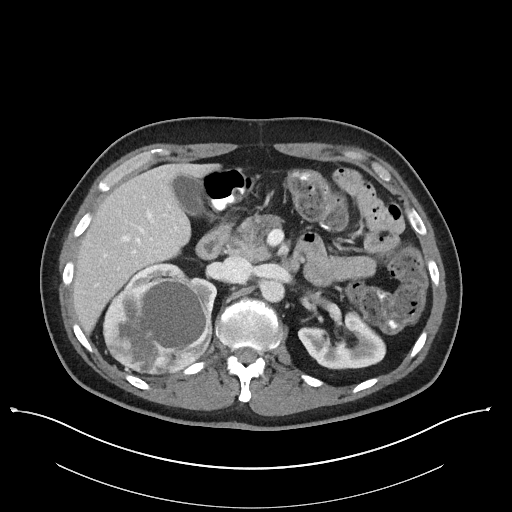
Abdominal CT with intravenous contrast, axial plane, 100 kVp, kernel I40f. Slice 74/101 from the bottom of the scan; thickness 5.00 mm; pixel size 0.879 mm.
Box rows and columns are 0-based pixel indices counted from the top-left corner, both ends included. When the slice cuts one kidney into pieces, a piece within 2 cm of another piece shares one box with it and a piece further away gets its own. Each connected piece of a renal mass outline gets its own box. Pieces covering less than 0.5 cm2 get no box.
Boxed on this slice (two kidney boxes and one renal mass box), listed by box centre from the image's left to its right: (1) Right renal mass at rows 278–375, columns 103–212 (outlined area 8,381 px, about 64.7 cm2). (2) Right kidney, box rows 263–317, columns 121–217 (outlined area 1,449 px, about 11.2 cm2). (3) Left kidney, box rows 312–369, columns 300–386 (outlined area 3,166 px, about 24.5 cm2).